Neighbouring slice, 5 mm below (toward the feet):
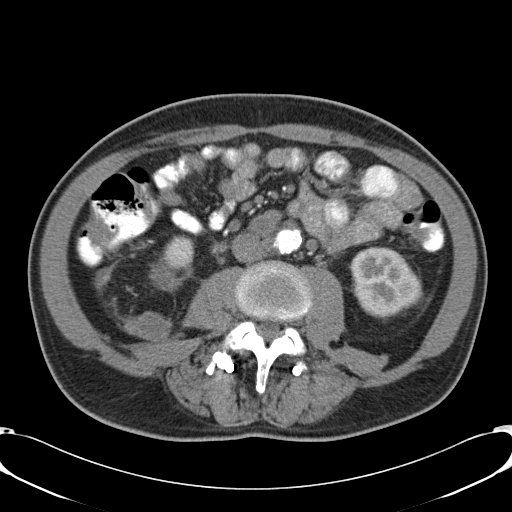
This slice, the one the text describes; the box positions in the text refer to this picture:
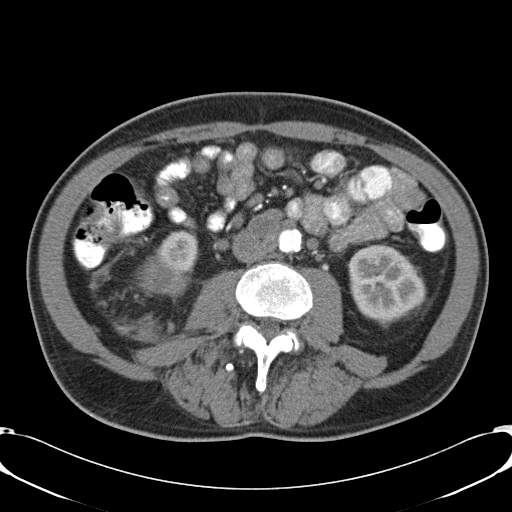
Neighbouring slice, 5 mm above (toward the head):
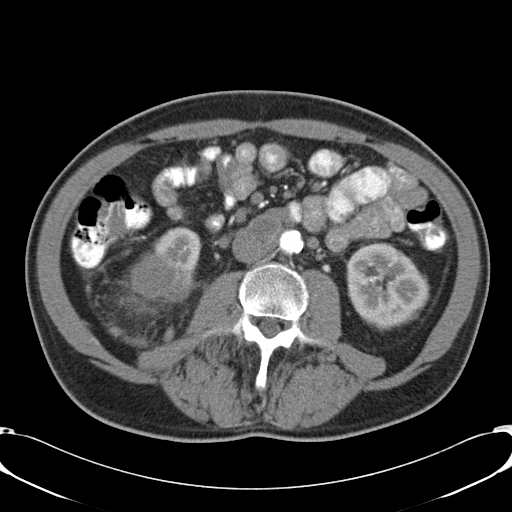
Axial slice 16 of 57 of a contrast-enhanced abdominal CT (slice 1 is the lowest), 120 kVp, kernel B31f; 5.00 mm slice thickness and 0.732 mm pixels.
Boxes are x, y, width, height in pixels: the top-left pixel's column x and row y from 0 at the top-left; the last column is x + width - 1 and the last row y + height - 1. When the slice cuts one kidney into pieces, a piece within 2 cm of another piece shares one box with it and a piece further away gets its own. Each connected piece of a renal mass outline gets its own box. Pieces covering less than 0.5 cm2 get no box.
Boxed on this slice (two kidney boxes and one renal mass box), listed by box centre from the image's left to its right: (1) Right renal mass at x 138, y 253, width 54, height 45 (outlined area 1,764 px, about 9.5 cm2). (2) Right kidney at x 157, y 230, width 42, height 45 (outlined area 1,037 px, about 5.6 cm2). (3) Left kidney, box x 349, y 244, width 78, height 78 (outlined area 4,664 px, about 25.0 cm2). This slice lies near the end of the right renal mass toward the feet; the slices 5 mm below and 5 mm above it are shown too, and the boxes mark positions on this slice only.